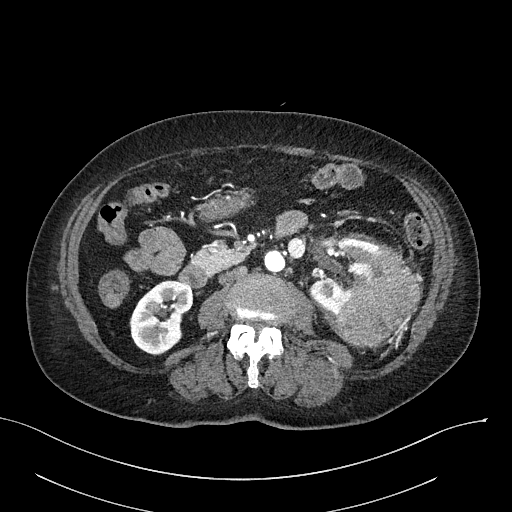
Axial slice 115 of 316 of a contrast-enhanced abdominal CT in the arterial phase (slice 1 is the lowest), 100 kVp, kernel I40f; 2.00 mm slice thickness and 0.840 mm pixels.
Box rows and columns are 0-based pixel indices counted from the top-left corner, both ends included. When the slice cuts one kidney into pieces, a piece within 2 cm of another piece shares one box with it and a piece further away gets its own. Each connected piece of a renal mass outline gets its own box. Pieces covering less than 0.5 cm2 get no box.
Two kidney boxes and one renal mass box on this slice; by box centre, from the image's left to its right: (1) Right kidney, box rows 280–355, columns 129–193 (outlined area 3,418 px, about 24.1 cm2). (2) Box rows 238–315, columns 309–379: left kidney (outlined area 2,904 px, about 20.5 cm2). (3) Box rows 244–347, columns 336–421: left renal mass (outlined area 5,596 px, about 39.5 cm2).